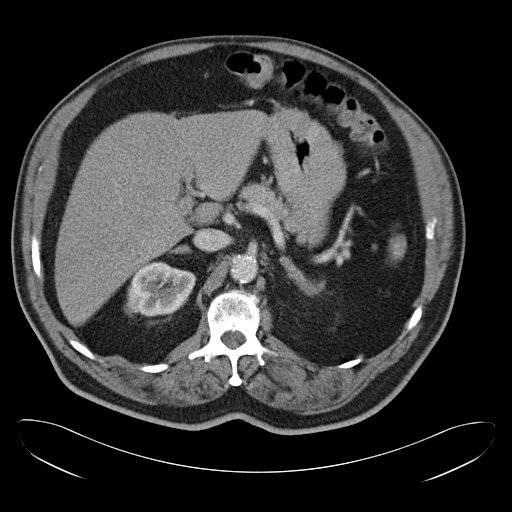
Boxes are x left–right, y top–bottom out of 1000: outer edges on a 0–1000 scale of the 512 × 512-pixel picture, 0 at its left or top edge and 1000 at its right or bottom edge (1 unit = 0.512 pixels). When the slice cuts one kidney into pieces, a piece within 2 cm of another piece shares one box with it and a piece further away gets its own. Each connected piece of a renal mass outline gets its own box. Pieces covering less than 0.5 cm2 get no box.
Arterial-phase contrast-enhanced abdominal CT, axial slice 27 of 34 (counted from the lowest slice); 5.00 mm thick, 0.830 mm per pixel. Box x 242–385, y 510–619 out of 1000: right kidney (outlined area 2,964 px, about 20.4 cm2). No renal mass outline on this slice.
Tube voltage 120 kVp; convolution kernel B30f.